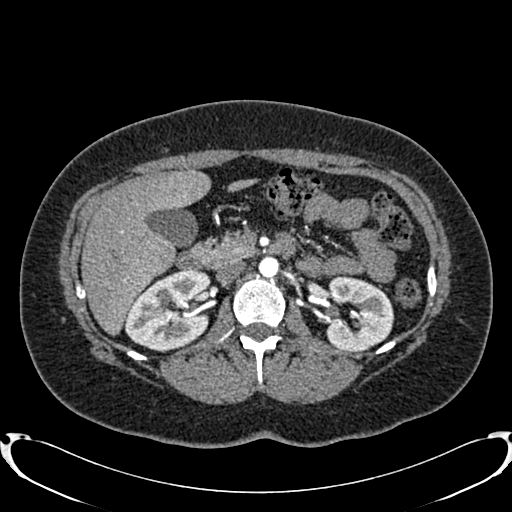
Abdominal CT with intravenous contrast, arterial phase, axial plane, 120 kVp, kernel B20f. Slice 487/719 from the bottom of the scan; thickness 1.00 mm; pixel size 0.766 mm.
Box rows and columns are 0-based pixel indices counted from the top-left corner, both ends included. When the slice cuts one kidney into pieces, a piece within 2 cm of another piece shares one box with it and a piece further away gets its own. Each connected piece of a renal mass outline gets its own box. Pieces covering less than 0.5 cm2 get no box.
Two boxes on this slice (two kidney boxes), listed by box centre from the image's left to its right. (1) Right kidney at rows 268–352, columns 124–211 (outlined area 5,382 px, about 31.5 cm2). (2) Box rows 276–350, columns 325–394: left kidney (outlined area 3,954 px, about 23.2 cm2). This slice carries no renal mass outline.